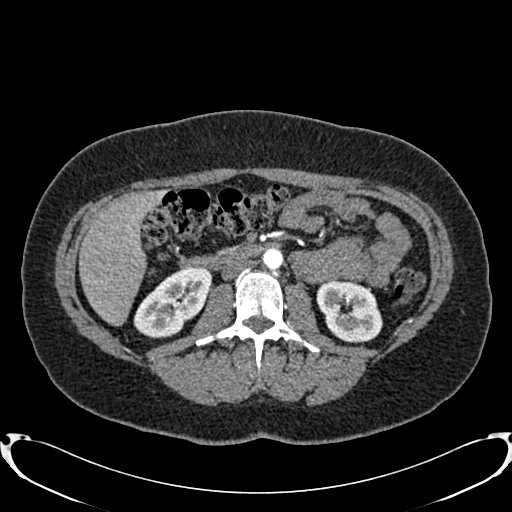
One axial slice (428 of 719, counting up from the lowest) of an arterial-phase abdominal CT acquired with 120 kVp, kernel B20f; each pixel is 0.766 mm and the slice is 1.00 mm thick.
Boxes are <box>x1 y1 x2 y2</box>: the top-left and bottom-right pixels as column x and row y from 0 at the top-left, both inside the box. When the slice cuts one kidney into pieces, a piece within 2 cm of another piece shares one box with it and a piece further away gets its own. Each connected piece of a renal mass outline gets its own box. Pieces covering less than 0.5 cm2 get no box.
Two boxes on this slice (two kidney boxes), listed by box centre from the image's left to its right. (1) Right kidney at <box>133 267 212 338</box> (outlined area 3,625 px, about 21.2 cm2). (2) Left kidney: <box>316 279 382 342</box> (outlined area 3,168 px, about 18.6 cm2). This slice carries no renal mass outline.